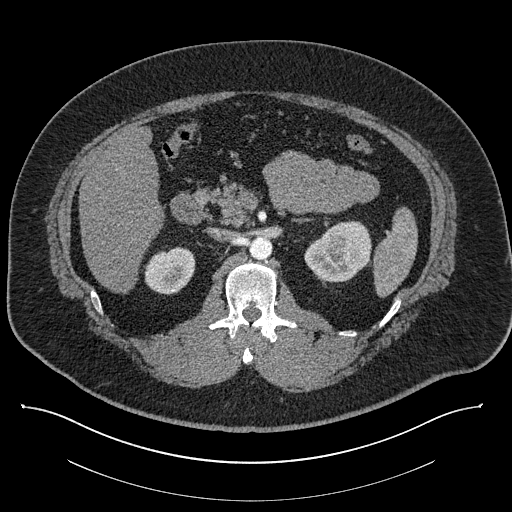
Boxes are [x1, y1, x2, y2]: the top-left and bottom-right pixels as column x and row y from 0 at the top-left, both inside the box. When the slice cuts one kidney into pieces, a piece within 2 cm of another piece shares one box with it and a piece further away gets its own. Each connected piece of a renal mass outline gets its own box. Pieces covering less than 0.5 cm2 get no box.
This is axial slice 531 of 787 (slice 1 is the lowest) of an abdominal CT with contrast; each pixel is 0.910 mm and the slice is 1.00 mm thick. Two kidney boxes on this slice; by box centre, from the image's left to its right: (1) Right kidney at [144, 246, 195, 294] (outlined area 1,904 px, about 15.8 cm2). (2) Box [304, 220, 371, 282]: left kidney (outlined area 3,084 px, about 25.5 cm2). This slice carries no renal mass outline.
Tube voltage 140 kVp; convolution kernel I30f.